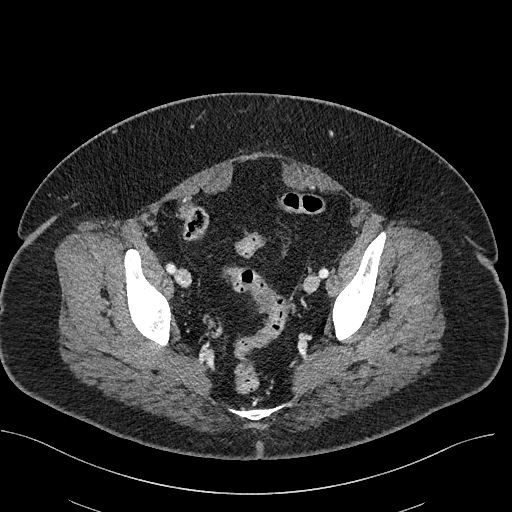
Contrast-enhanced abdominal CT, axial slice 119 of 470 (counted from the lowest slice); 2.00 mm thick, 0.824 mm per pixel. This slice carries no outline: it lies beyond the outlined kidneys and beyond every outlined renal mass. Other organs are not outlined in this scan.
Scan settings: 100 kVp, I40f reconstruction kernel.